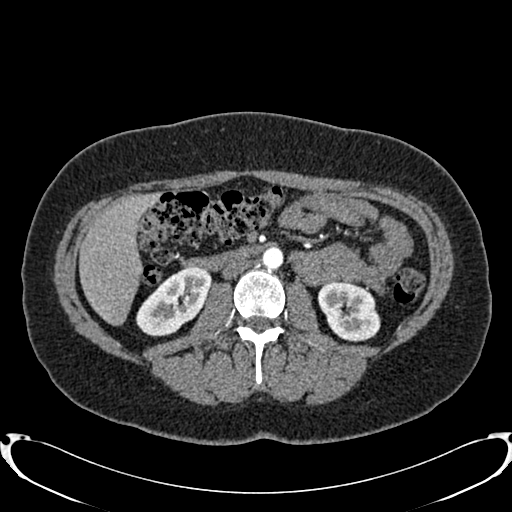
Arterial-phase contrast-enhanced abdominal CT, axial slice 421 of 719 (counted from the lowest slice); tube voltage 120 kVp, convolution kernel B20f; slices 1.00 mm thick, 0.766 mm per pixel.
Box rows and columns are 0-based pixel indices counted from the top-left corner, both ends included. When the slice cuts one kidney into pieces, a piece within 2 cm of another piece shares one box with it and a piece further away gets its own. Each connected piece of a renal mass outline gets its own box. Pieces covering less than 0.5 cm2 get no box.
Boxed on this slice (two kidney boxes), listed by box centre from the image's left to its right: (1) Right kidney, box rows 266–336, columns 136–211 (outlined area 3,386 px, about 19.8 cm2). (2) Left kidney at rows 281–341, columns 317–380 (outlined area 2,877 px, about 16.9 cm2). No renal mass outline on this slice.